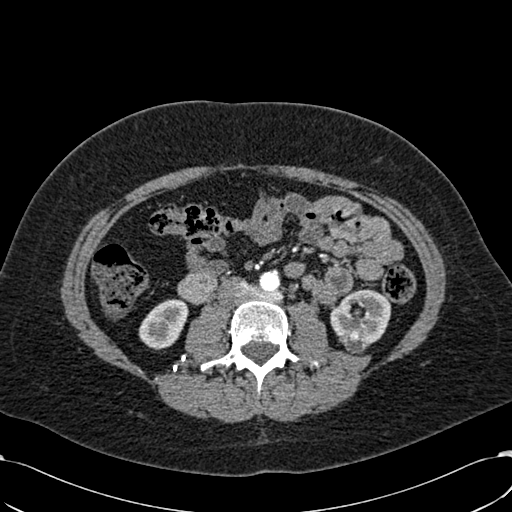
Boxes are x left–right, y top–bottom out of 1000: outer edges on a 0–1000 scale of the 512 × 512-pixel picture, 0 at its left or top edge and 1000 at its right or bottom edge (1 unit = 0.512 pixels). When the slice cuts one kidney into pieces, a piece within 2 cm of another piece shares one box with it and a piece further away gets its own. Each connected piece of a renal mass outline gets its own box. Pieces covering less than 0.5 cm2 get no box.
This is axial slice 287 of 532 (slice 1 is the lowest) of an arterial-phase abdominal CT with contrast; each pixel is 0.713 mm and the slice is 1.00 mm thick. Three boxes on this slice (two kidney boxes and one renal mass box), listed by box centre from the image's left to its right. (1) Right kidney at x 270–369, y 582–684 out of 1000 (outlined area 1,816 px, about 9.2 cm2). (2) Left renal mass, box x 664–717, y 652–693 out of 1000 (outlined area 402 px, about 2.0 cm2). (3) Left kidney at x 645–766, y 564–678 out of 1000 (outlined area 2,423 px, about 12.3 cm2).
Tube voltage 120 kVp; convolution kernel B30f.